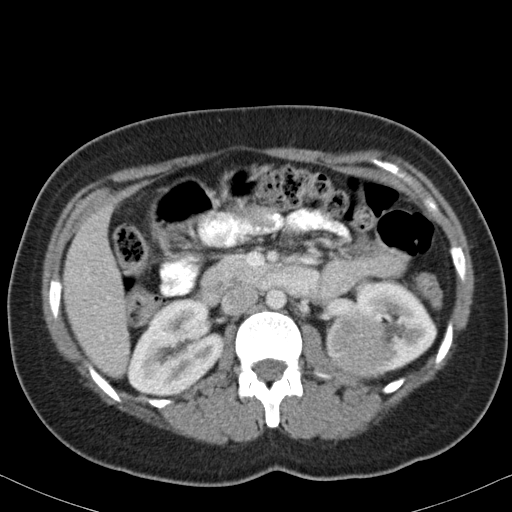
Arterial-phase contrast-enhanced abdominal CT, axial slice 61 of 82 (counted from the lowest slice); tube voltage 120 kVp, convolution kernel B31f; slices 5.00 mm thick, 0.625 mm per pixel.
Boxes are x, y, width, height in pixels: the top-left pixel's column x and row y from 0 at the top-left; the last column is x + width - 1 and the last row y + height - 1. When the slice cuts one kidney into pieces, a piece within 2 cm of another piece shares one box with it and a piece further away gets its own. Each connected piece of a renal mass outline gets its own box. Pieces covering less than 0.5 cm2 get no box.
Two kidney boxes and one renal mass box on this slice; by box centre, from the image's left to its right: (1) Box x 126, y 298, width 99, height 100: right kidney (outlined area 6,811 px, about 26.6 cm2). (2) Left renal mass, box x 326, y 309, width 68, height 68 (outlined area 3,632 px, about 14.2 cm2). (3) Left kidney, box x 347, y 280, width 90, height 92 (outlined area 4,023 px, about 15.7 cm2).